Arterial-phase contrast-enhanced abdominal CT, axial slice 173 of 470 (counted from the lowest slice); tube voltage 120 kVp, convolution kernel I26f; slices 1.00 mm thick, 0.938 mm per pixel.
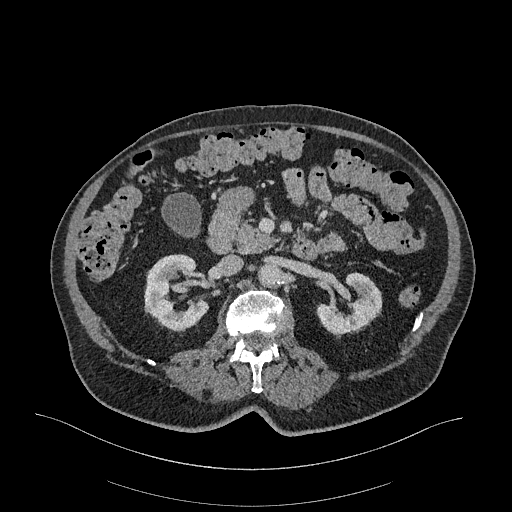
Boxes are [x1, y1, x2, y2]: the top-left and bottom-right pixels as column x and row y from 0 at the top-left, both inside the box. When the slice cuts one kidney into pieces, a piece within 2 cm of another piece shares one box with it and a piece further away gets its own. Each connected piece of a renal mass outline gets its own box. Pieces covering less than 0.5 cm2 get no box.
Two kidney boxes on this slice; by box centre, from the image's left to its right: (1) Right kidney at [144, 254, 209, 332] (outlined area 3,513 px, about 30.9 cm2). (2) Left kidney, box [316, 272, 382, 338] (outlined area 2,687 px, about 23.6 cm2). No renal mass is outlined on this slice.